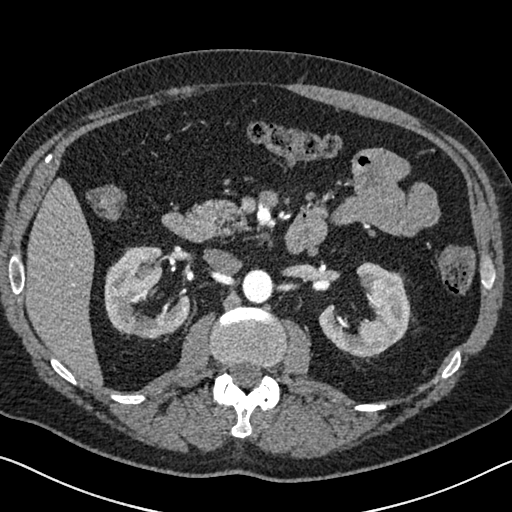
One axial slice (412 of 626, counting up from the lowest) of an arterial-phase abdominal CT acquired with 120 kVp, kernel I30f; each pixel is 0.703 mm and the slice is 1.00 mm thick.
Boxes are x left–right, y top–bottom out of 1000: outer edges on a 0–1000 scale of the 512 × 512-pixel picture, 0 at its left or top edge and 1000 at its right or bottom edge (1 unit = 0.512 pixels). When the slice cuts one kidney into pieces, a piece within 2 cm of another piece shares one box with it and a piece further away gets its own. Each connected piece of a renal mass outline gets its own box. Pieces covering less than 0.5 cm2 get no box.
Boxed on this slice (two kidney boxes), listed by box centre from the image's left to its right: (1) Right kidney, box x 203–371, y 479–662 out of 1000 (outlined area 5,127 px, about 25.3 cm2). (2) Box x 621–803, y 512–699 out of 1000: left kidney (outlined area 4,891 px, about 24.2 cm2). No renal mass outline on this slice.